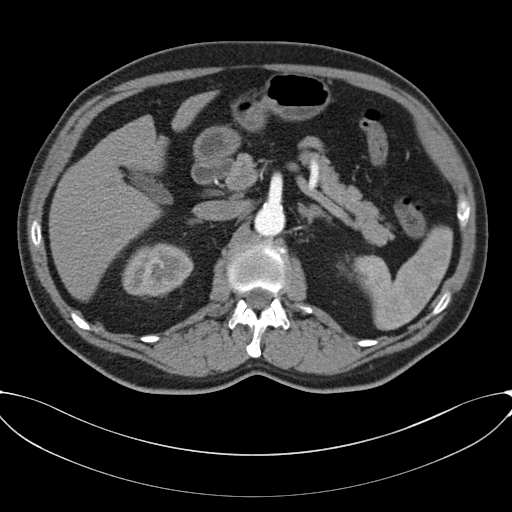
Contrast-enhanced abdominal CT, axial slice 45 of 80 (counted from the lowest slice); tube voltage 120 kVp, convolution kernel B30f; slices 3.00 mm thick, 0.822 mm per pixel.
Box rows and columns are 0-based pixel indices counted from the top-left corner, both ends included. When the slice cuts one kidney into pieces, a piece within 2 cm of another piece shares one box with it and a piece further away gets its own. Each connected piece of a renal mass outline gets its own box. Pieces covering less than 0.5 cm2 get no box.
Right kidney, box rows 243–296, columns 122–193 (outlined area 2,921 px, about 19.7 cm2). No renal mass is outlined on this slice.